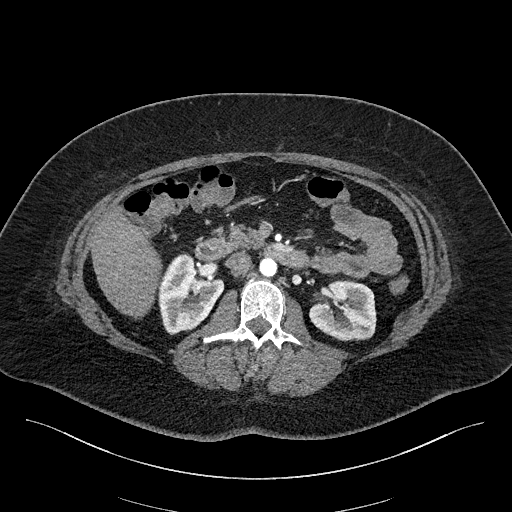
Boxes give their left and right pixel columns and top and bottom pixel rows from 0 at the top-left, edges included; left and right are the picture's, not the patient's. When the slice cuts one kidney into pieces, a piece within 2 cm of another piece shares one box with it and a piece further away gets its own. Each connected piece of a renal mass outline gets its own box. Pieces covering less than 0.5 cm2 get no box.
Arterial-phase contrast-enhanced abdominal CT, axial slice 106 of 270 (counted from the lowest slice); 2.00 mm thick, 0.855 mm per pixel. Boxed on this slice (two kidney boxes), listed by box centre from the image's left to its right: (1) Right kidney in the box with left 158, top 253, right 224, bottom 334 (outlined area 3,751 px, about 27.5 cm2). (2) Left kidney in the box with left 309, top 280, right 376, bottom 341 (outlined area 3,261 px, about 23.9 cm2). No renal mass outline on this slice.
Scan settings: 100 kVp, I40f reconstruction kernel.